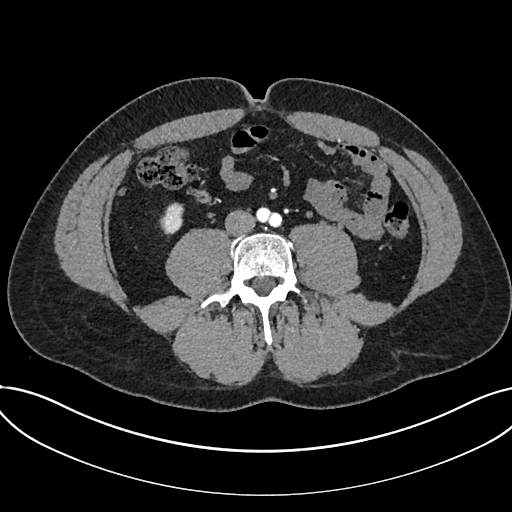
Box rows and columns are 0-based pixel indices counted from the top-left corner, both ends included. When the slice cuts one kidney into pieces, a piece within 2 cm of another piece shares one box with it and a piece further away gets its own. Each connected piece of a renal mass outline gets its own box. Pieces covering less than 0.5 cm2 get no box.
Slice 269/735 of a contrast-enhanced abdominal CT in the arterial phase, counting up from the lowest; pixel size 0.789 mm, slice thickness 1.00 mm. Box rows 202–234, columns 159–184: kidney (outlined area 596 px, about 3.7 cm2). This slice carries no renal mass outline.
Scan settings: 120 kVp, I30f reconstruction kernel.